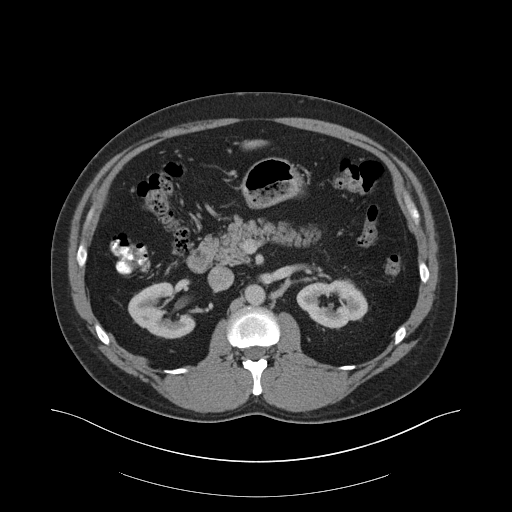
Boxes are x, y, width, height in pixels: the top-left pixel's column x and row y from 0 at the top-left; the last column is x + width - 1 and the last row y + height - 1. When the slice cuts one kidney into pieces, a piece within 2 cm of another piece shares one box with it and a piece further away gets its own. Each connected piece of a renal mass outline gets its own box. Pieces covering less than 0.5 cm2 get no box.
Slice 113/159 of a contrast-enhanced abdominal CT in the arterial phase, counting up from the lowest; pixel size 0.977 mm, slice thickness 3.00 mm. Boxed on this slice (two kidney boxes), listed by box centre from the image's left to its right: (1) Box x 128, y 282, width 68, height 57: right kidney (outlined area 2,420 px, about 23.1 cm2). (2) Left kidney at x 296, y 278, width 72, height 51 (outlined area 2,377 px, about 22.7 cm2). No renal mass outline on this slice.
Scan settings: 140 kVp, B30f reconstruction kernel.